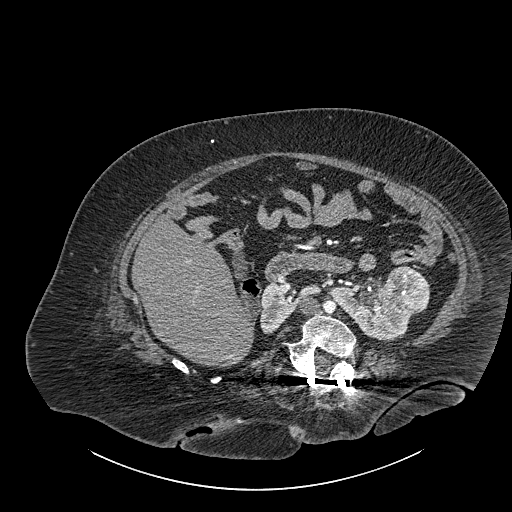
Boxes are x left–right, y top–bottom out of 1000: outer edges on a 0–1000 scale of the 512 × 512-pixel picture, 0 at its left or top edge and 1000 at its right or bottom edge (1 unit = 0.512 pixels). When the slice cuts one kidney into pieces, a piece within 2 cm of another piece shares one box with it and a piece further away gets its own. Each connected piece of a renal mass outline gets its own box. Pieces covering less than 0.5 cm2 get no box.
Contrast-enhanced abdominal CT, axial slice 524 of 834 (counted from the lowest slice); 1.00 mm thick, 0.977 mm per pixel. Three boxes on this slice (two kidney boxes and one renal mass box), listed by box centre from the image's left to its right. (1) Right part of the midline-crossing kidney, box x 508–629, y 551–654 out of 1000 (outlined area 1,464 px, about 14.0 cm2). (2) Box x 645–805, y 559–666 out of 1000: left part of the midline-crossing kidney (outlined area 2,730 px, about 26.0 cm2). (3) Renal mass at x 750–840, y 520–613 out of 1000 (outlined area 1,733 px, about 16.5 cm2).
Tube voltage 140 kVp; convolution kernel I30f.